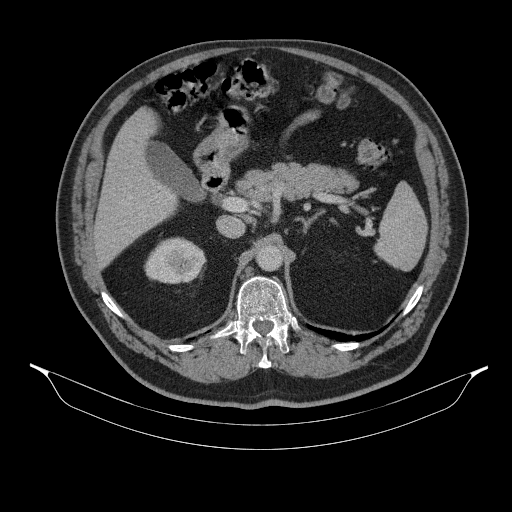
Axial slice 228 of 314 of a contrast-enhanced abdominal CT (slice 1 is the lowest), 130 kVp, kernel B31s; 2.50 mm slice thickness and 0.934 mm pixels.
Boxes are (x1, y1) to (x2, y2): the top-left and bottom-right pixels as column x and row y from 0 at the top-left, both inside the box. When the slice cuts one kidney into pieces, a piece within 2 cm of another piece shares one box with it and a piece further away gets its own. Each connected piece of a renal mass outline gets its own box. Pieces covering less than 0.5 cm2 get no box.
Right kidney, box (144, 237) to (206, 283) (outlined area 2,261 px, about 19.7 cm2). No renal mass outline on this slice.